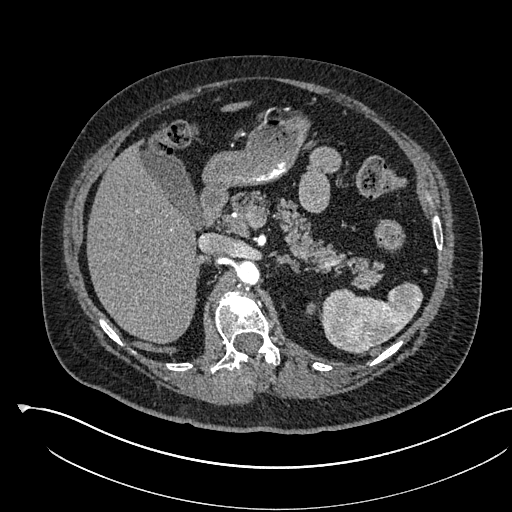
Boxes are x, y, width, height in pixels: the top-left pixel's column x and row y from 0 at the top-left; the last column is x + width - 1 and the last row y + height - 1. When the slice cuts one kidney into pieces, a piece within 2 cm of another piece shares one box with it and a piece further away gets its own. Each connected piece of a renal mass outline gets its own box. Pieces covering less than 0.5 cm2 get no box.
This is axial slice 390 of 541 (slice 1 is the lowest) of an arterial-phase abdominal CT with contrast; each pixel is 0.834 mm and the slice is 1.00 mm thick. Left kidney at x 306, y 305, width 10, height 10 (outlined area 80 px, about 0.6 cm2). This slice carries no renal mass outline.
Scan settings: 120 kVp, I30f reconstruction kernel.